One axial slice (98 of 117, counting up from the lowest) of an arterial-phase abdominal CT acquired with 120 kVp, kernel FC12; each pixel is 0.518 mm and the slice is 3.00 mm thick.
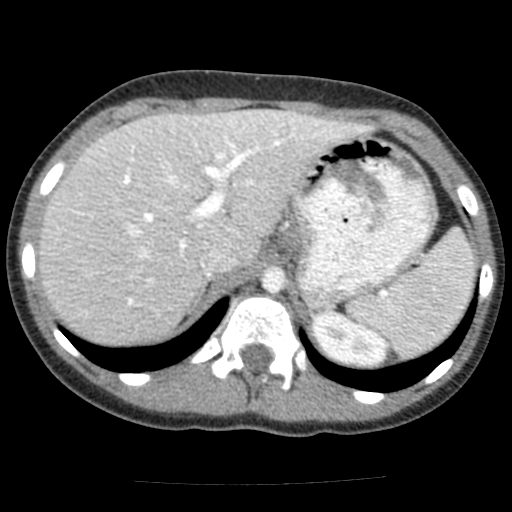
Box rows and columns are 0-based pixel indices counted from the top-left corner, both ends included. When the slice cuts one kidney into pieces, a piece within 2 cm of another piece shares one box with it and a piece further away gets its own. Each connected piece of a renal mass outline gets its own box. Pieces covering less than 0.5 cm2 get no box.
Left kidney at rows 311–364, columns 313–386 (outlined area 2,675 px, about 7.2 cm2). This slice carries no renal mass outline.